Arterial-phase contrast-enhanced abdominal CT, axial slice 6 of 52 (counted from the lowest slice); tube voltage 120 kVp, convolution kernel B30f; slices 3.00 mm thick, 0.678 mm per pixel.
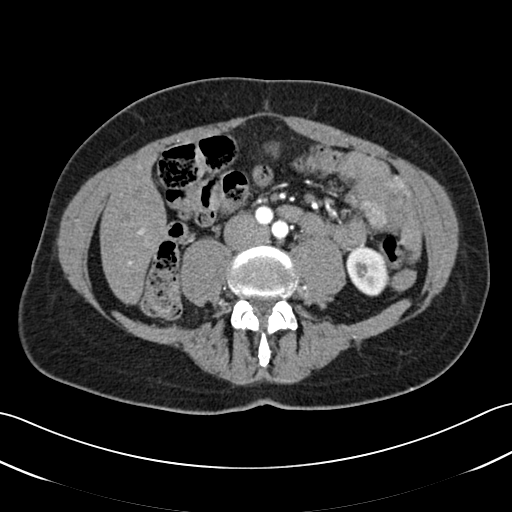
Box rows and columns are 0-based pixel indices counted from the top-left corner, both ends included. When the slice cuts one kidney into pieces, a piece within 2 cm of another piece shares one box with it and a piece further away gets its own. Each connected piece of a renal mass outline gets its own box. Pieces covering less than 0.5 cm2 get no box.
Left kidney, box rows 246–296, columns 345–388 (outlined area 1,660 px, about 7.6 cm2). No renal mass is outlined on this slice.